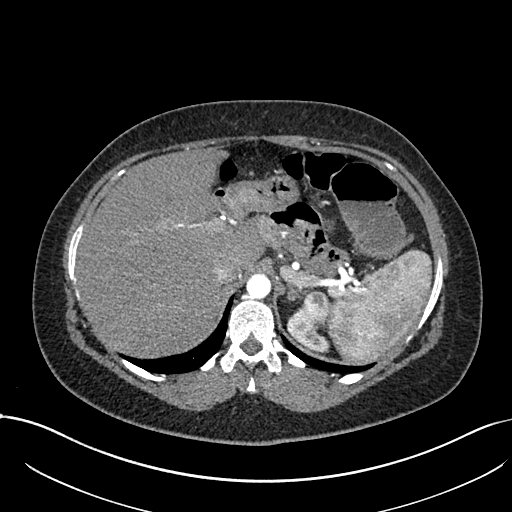
One axial slice (566 of 738, counting up from the lowest) of an arterial-phase abdominal CT acquired with 120 kVp, kernel I30f; each pixel is 0.789 mm and the slice is 1.00 mm thick.
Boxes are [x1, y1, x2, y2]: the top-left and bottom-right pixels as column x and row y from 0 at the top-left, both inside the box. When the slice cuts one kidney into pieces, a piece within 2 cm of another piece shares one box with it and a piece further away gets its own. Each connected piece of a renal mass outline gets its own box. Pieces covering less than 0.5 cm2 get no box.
Two boxes on this slice (one kidney box and one renal mass box), listed by box centre from the image's left to its right. (1) Left kidney, box [287, 313, 329, 352] (outlined area 722 px, about 4.5 cm2). (2) Left renal mass, box [294, 290, 328, 332] (outlined area 1,023 px, about 6.4 cm2).